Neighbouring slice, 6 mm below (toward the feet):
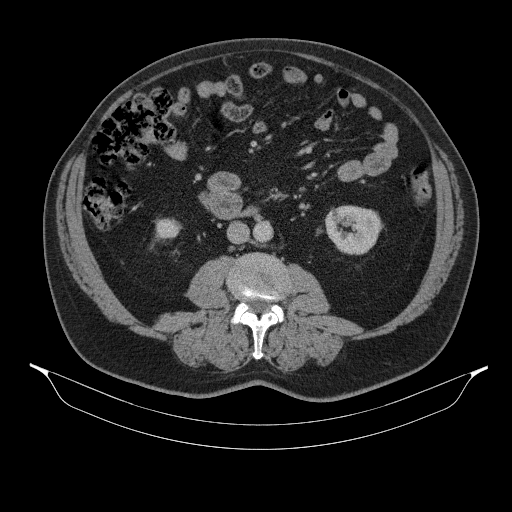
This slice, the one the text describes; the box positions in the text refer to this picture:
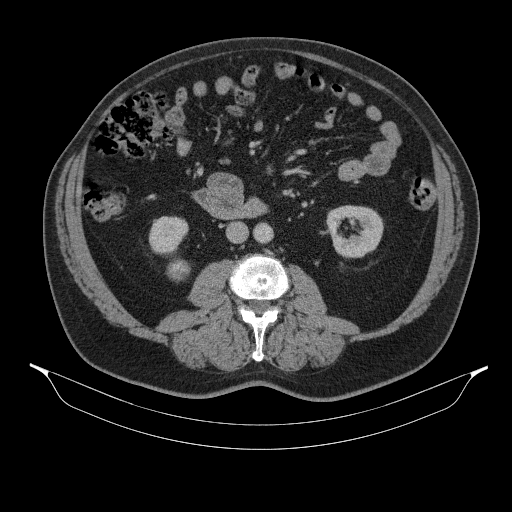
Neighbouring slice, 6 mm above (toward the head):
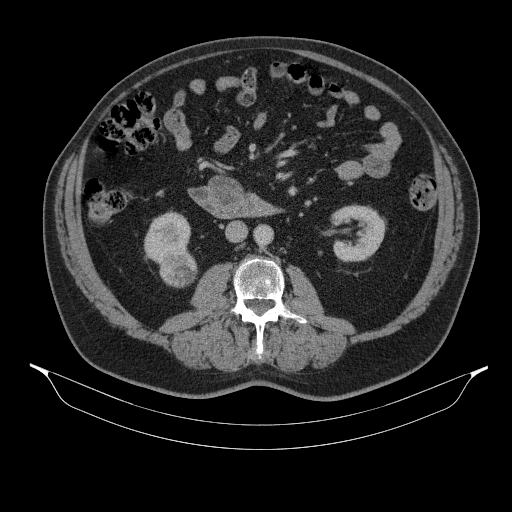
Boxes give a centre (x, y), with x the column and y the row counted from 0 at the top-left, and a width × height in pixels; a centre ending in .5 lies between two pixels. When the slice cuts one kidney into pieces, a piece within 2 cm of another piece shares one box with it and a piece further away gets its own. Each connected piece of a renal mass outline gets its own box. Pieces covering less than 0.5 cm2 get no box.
Contrast-enhanced abdominal CT, axial slice 177 of 314 (counted from the lowest slice); 2.50 mm thick, 0.934 mm per pixel. Boxed on this slice (two kidney boxes and one renal mass box), listed by box centre from the image's left to its right: (1) Right kidney in a box with centre (168, 235.5), 41 × 40 pixels (outlined area 1,215 px, about 10.6 cm2). (2) Right renal mass in a box with centre (178, 270), 25 × 23 pixels (outlined area 422 px, about 3.7 cm2). (3) Left kidney in a box with centre (354, 231.5), 59 × 54 pixels (outlined area 2,308 px, about 20.1 cm2). This slice lies near the end of the right renal mass toward the feet; the slices 6 mm below and 6 mm above it are shown too, and the boxes mark positions on this slice only.
Scan settings: 130 kVp, B31s reconstruction kernel.